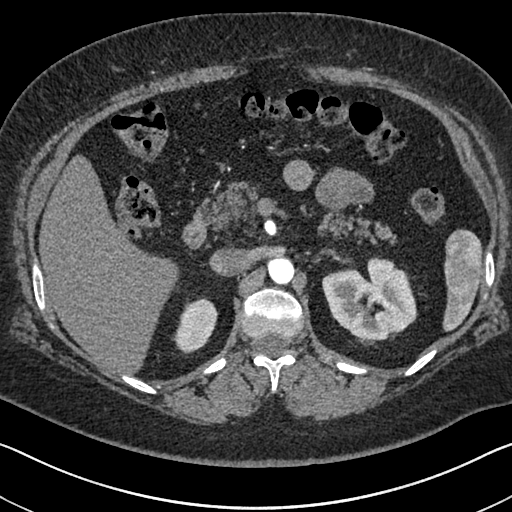
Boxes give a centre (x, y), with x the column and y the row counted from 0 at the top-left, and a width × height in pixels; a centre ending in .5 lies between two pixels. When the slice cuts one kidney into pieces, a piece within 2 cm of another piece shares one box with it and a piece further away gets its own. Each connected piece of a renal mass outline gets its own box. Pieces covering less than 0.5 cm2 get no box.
Arterial-phase contrast-enhanced abdominal CT, axial slice 459 of 591 (counted from the lowest slice); 1.00 mm thick, 0.703 mm per pixel. Two boxes on this slice (two kidney boxes), listed by box centre from the image's left to its right. (1) Right kidney, box centre (195, 325), 47 × 57 pixels (outlined area 1,730 px, about 8.6 cm2). (2) Left kidney in a box with centre (369.5, 298.5), 96 × 86 pixels (outlined area 5,741 px, about 28.4 cm2). No renal mass is outlined on this slice.
Tube voltage 140 kVp; convolution kernel I30f.